Axial slice 127 of 261 of a contrast-enhanced abdominal CT in the arterial phase (slice 1 is the lowest), 120 kVp, kernel I30f; 2.00 mm slice thickness and 0.939 mm pixels.
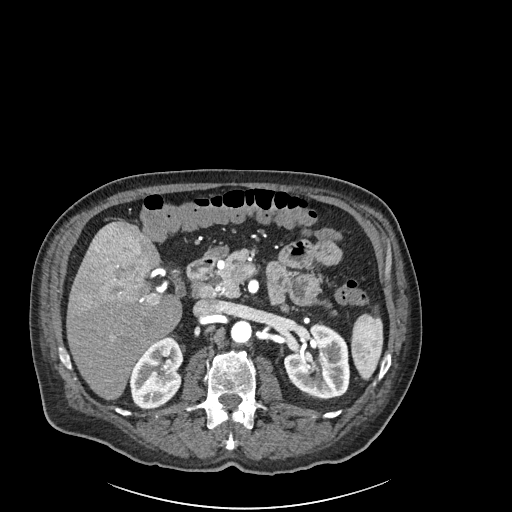
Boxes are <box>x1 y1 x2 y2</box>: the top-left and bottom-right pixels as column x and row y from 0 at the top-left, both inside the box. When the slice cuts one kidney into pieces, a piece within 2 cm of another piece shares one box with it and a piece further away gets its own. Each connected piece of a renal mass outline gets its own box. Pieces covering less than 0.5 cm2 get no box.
Two kidney boxes on this slice; by box centre, from the image's left to its right: (1) Right kidney: <box>129 336 183 409</box> (outlined area 2,910 px, about 25.7 cm2). (2) Left kidney at <box>284 323 349 398</box> (outlined area 3,736 px, about 33.0 cm2). No renal mass outline on this slice.